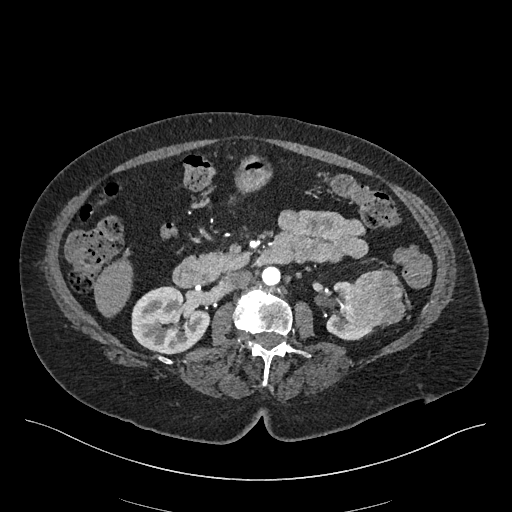
Arterial-phase contrast-enhanced abdominal CT, axial slice 245 of 548 (counted from the lowest slice); tube voltage 120 kVp, convolution kernel I26f; slices 1.00 mm thick, 0.852 mm per pixel.
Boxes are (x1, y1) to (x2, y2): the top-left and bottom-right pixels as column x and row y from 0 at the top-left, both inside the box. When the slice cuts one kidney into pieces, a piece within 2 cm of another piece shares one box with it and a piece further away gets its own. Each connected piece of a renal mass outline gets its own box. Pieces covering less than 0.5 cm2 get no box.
Boxed on this slice (two kidney boxes and one renal mass box), listed by box centre from the image's left to its right: (1) Right kidney, box (131, 286) to (210, 354) (outlined area 4,108 px, about 29.8 cm2). (2) Left kidney from (325, 281) to (374, 340) (outlined area 1,175 px, about 8.5 cm2). (3) Left renal mass, box (339, 268) to (405, 328) (outlined area 2,949 px, about 21.4 cm2).